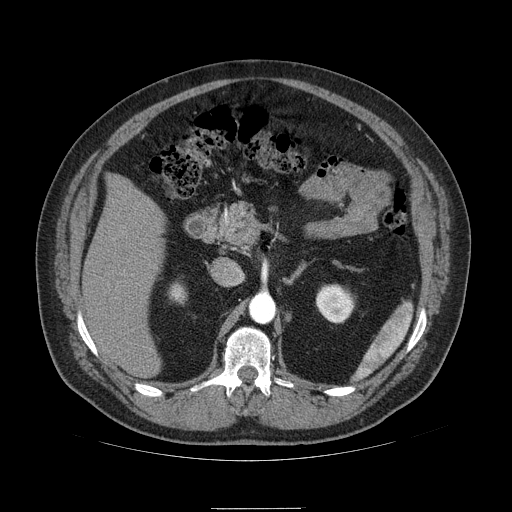
One axial slice (65 of 121, counting up from the lowest) of an arterial-phase abdominal CT acquired with 120 kVp, kernel STANDARD; each pixel is 0.861 mm and the slice is 2.50 mm thick.
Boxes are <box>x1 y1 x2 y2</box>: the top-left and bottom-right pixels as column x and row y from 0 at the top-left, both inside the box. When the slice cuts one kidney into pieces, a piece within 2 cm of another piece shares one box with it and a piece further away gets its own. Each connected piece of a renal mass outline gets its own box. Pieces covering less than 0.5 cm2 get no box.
Boxed on this slice (two kidney boxes), listed by box centre from the image's left to its right: (1) Right kidney at <box>169 283 186 302</box> (outlined area 275 px, about 2.0 cm2). (2) Left kidney at <box>316 284 354 323</box> (outlined area 1,155 px, about 8.6 cm2). This slice carries no renal mass outline.